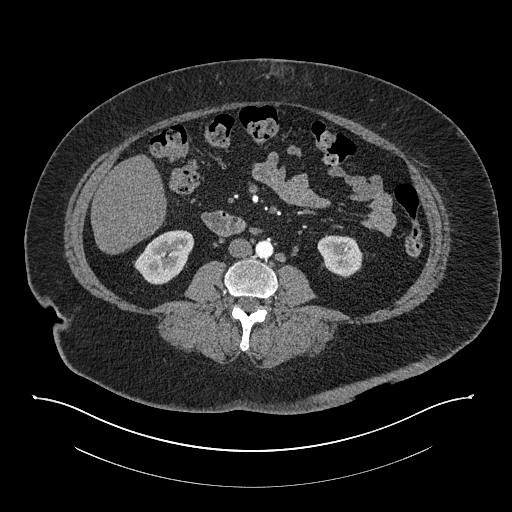
Axial slice 372 of 673 of a contrast-enhanced abdominal CT in the arterial phase (slice 1 is the lowest), 140 kVp, kernel I30f; 1.00 mm slice thickness and 0.957 mm pixels.
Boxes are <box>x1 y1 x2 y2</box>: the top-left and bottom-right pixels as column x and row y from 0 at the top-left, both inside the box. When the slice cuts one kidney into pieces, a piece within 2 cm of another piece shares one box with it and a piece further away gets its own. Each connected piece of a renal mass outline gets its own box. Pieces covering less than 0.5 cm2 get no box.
Two boxes on this slice (two kidney boxes), listed by box centre from the image's left to its right. (1) At <box>134 230 194 284</box>: right kidney (outlined area 2,236 px, about 20.5 cm2). (2) Left kidney at <box>317 235 362 277</box> (outlined area 1,478 px, about 13.5 cm2). No renal mass is outlined on this slice.